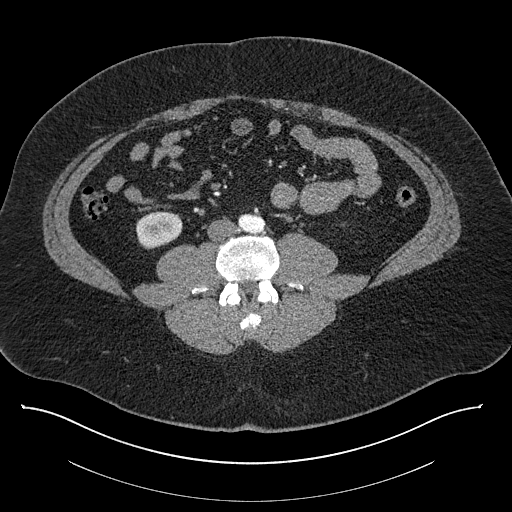
Contrast-enhanced abdominal CT, axial slice 338 of 787 (counted from the lowest slice); tube voltage 140 kVp, convolution kernel I30f; slices 1.00 mm thick, 0.910 mm per pixel.
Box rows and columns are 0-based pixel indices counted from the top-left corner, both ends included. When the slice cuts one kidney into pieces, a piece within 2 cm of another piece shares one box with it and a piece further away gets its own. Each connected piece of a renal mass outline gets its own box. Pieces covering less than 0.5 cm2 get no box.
Right kidney, box rows 211–249, columns 136–182 (outlined area 1,409 px, about 11.7 cm2). No renal mass is outlined on this slice.